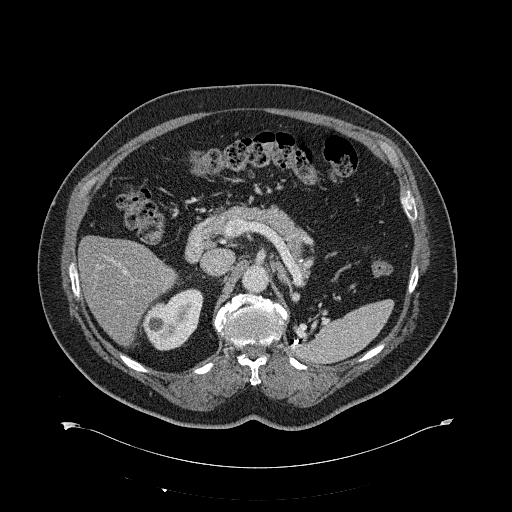
Contrast-enhanced abdominal CT, axial slice 410 of 734 (counted from the lowest slice); tube voltage 120 kVp, convolution kernel B31f; slices 2.00 mm thick, 0.971 mm per pixel.
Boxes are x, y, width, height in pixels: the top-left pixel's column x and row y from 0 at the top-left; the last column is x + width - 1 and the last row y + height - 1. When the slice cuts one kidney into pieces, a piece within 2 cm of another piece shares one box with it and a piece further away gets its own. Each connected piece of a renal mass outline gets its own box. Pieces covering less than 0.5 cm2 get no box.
Box x 140, y 288, width 64, height 63: right kidney (outlined area 2,662 px, about 25.1 cm2). No renal mass is outlined on this slice.